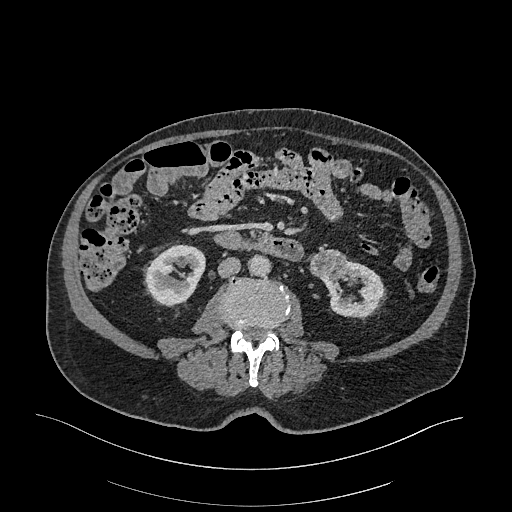
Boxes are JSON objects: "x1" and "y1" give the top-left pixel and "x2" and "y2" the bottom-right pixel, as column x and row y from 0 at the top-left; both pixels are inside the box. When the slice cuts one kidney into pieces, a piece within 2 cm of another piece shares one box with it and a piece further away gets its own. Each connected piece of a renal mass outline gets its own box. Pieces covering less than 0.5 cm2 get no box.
Arterial-phase contrast-enhanced abdominal CT, axial slice 112 of 470 (counted from the lowest slice); 1.00 mm thick, 0.938 mm per pixel. Boxed on this slice (two kidney boxes and one renal mass box), listed by box centre from the image's left to its right: (1) Right kidney at {"x1": 145, "y1": 244, "x2": 205, "y2": 306} (outlined area 2,743 px, about 24.1 cm2). (2) Left renal mass at {"x1": 309, "y1": 249, "x2": 346, "y2": 280} (outlined area 933 px, about 8.2 cm2). (3) Left kidney at {"x1": 323, "y1": 260, "x2": 384, "y2": 317} (outlined area 2,173 px, about 19.1 cm2).
Tube voltage 120 kVp; convolution kernel I26f.